Arterial-phase contrast-enhanced abdominal CT, axial slice 297 of 723 (counted from the lowest slice); tube voltage 120 kVp, convolution kernel B30f; slices 1.00 mm thick, 0.895 mm per pixel.
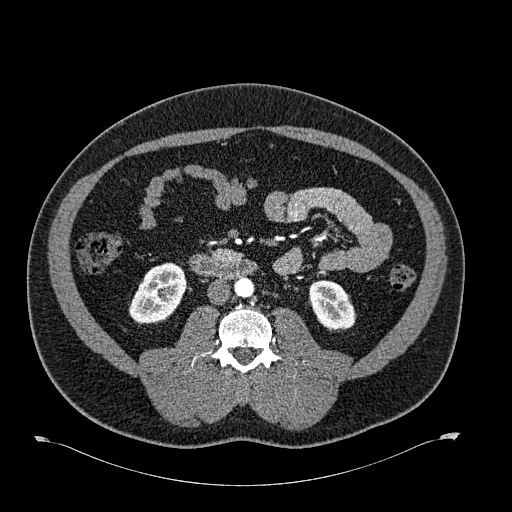
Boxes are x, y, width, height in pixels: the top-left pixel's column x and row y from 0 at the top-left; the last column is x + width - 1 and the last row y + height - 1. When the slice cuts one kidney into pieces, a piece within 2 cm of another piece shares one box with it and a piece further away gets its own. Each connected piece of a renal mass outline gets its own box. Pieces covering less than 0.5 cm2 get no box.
Two kidney boxes on this slice; by box centre, from the image's left to its right: (1) Right kidney, box x 128, y 262, width 59, height 63 (outlined area 2,554 px, about 20.4 cm2). (2) Box x 309, y 280, width 48, height 52: left kidney (outlined area 1,788 px, about 14.3 cm2). No renal mass outline on this slice.